Abdominal CT with intravenous contrast, arterial phase, axial plane, 120 kVp, kernel B30f. Slice 109/274 from the bottom of the scan; thickness 2.00 mm; pixel size 0.809 mm.
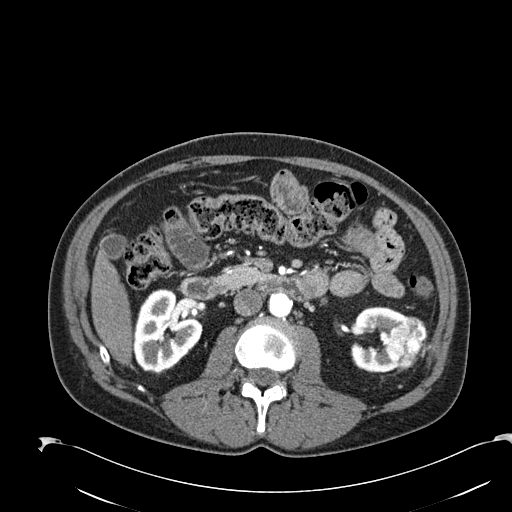
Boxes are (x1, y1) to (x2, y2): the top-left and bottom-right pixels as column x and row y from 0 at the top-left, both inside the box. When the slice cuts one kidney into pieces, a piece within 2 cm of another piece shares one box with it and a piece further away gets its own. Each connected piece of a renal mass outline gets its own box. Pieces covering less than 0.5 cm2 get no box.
Two kidney boxes and one renal mass box on this slice; by box centre, from the image's left to its right: (1) Right kidney from (134, 290) to (202, 374) (outlined area 4,063 px, about 26.6 cm2). (2) Box (350, 306) to (410, 372): left kidney (outlined area 2,195 px, about 14.4 cm2). (3) Left renal mass, box (384, 316) to (427, 370) (outlined area 1,624 px, about 10.6 cm2).